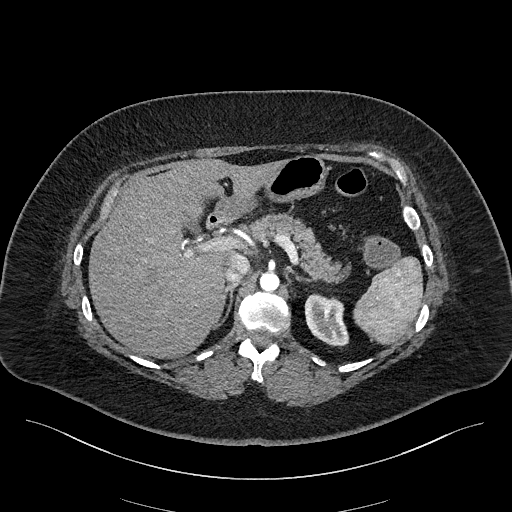
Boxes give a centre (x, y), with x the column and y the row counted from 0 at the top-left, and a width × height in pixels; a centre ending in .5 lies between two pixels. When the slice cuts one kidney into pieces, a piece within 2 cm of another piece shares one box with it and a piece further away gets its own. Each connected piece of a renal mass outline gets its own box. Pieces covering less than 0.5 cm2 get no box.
This is axial slice 154 of 270 (slice 1 is the lowest) of an arterial-phase abdominal CT with contrast; each pixel is 0.855 mm and the slice is 2.00 mm thick. Box centre (326, 320), 45 × 55 pixels: left kidney (outlined area 1,769 px, about 12.9 cm2). No renal mass is outlined on this slice.
Scan settings: 100 kVp, I40f reconstruction kernel.